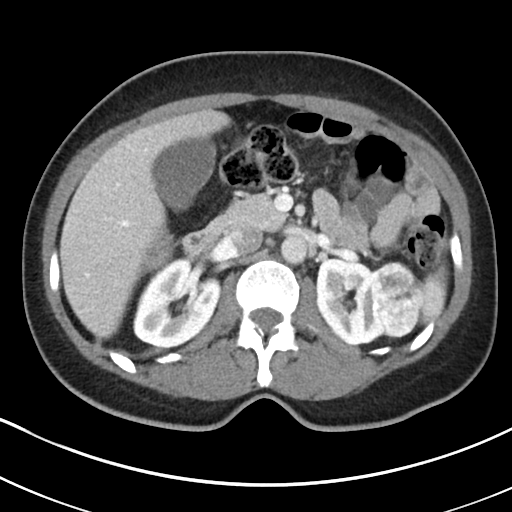
Contrast-enhanced abdominal CT, axial slice 122 of 178 (counted from the lowest slice); tube voltage 100 kVp, convolution kernel I30f; slices 5.00 mm thick, 0.650 mm per pixel.
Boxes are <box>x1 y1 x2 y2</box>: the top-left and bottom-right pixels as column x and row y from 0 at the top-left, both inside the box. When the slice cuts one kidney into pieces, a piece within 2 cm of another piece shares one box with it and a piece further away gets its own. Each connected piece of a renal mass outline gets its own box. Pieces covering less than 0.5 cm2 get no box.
Boxed on this slice (two kidney boxes and one renal mass box), listed by box centre from the image's left to its right: (1) Right kidney: <box>133 257 221 346</box> (outlined area 5,677 px, about 24.0 cm2). (2) Left kidney: <box>315 257 392 345</box> (outlined area 4,498 px, about 19.0 cm2). (3) Left renal mass at <box>372 261 424 338</box> (outlined area 3,015 px, about 12.8 cm2).